One axial slice (83 of 145, counting up from the lowest) of a contrast-enhanced abdominal CT acquired with 120 kVp, kernel B41f; each pixel is 0.859 mm and the slice is 5.00 mm thick.
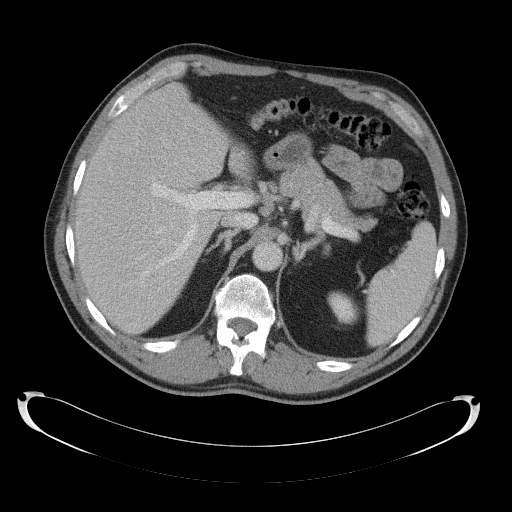
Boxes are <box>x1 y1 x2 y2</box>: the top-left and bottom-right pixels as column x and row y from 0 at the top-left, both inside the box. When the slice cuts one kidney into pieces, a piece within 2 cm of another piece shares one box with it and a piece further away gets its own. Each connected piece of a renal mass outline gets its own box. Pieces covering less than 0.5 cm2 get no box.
Left kidney: <box>327 291 359 324</box> (outlined area 780 px, about 5.8 cm2). No renal mass outline on this slice.